Abdominal CT with intravenous contrast, axial plane, 130 kVp, kernel B31s. Slice 162/314 from the bottom of the scan; thickness 2.50 mm; pixel size 0.934 mm.
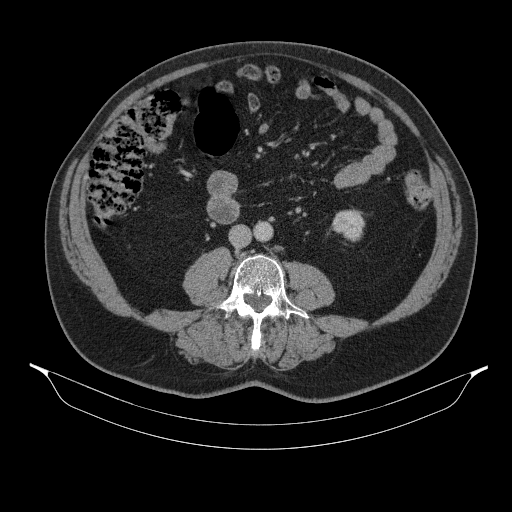
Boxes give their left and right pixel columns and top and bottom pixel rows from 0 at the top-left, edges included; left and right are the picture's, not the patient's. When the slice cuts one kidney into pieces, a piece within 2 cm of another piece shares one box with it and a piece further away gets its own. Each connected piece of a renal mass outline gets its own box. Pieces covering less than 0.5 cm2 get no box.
Box with left 330, top 209, right 365, bottom 241: left kidney (outlined area 830 px, about 7.2 cm2). No renal mass is outlined on this slice.